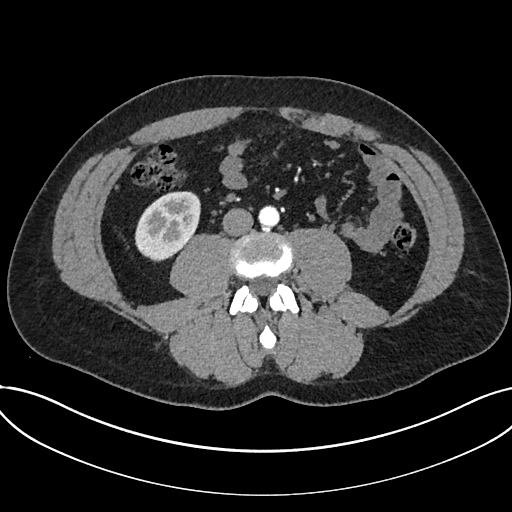
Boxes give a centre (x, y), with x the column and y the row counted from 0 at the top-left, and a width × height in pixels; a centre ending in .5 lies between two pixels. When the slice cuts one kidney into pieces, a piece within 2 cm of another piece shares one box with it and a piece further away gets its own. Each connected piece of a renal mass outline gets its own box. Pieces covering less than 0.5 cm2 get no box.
This is axial slice 300 of 735 (slice 1 is the lowest) of an arterial-phase abdominal CT with contrast; each pixel is 0.789 mm and the slice is 1.00 mm thick. Kidney, box centre (167, 226), 67 × 71 pixels (outlined area 3,412 px, about 21.2 cm2). This slice carries no renal mass outline.
Tube voltage 120 kVp; convolution kernel I30f.